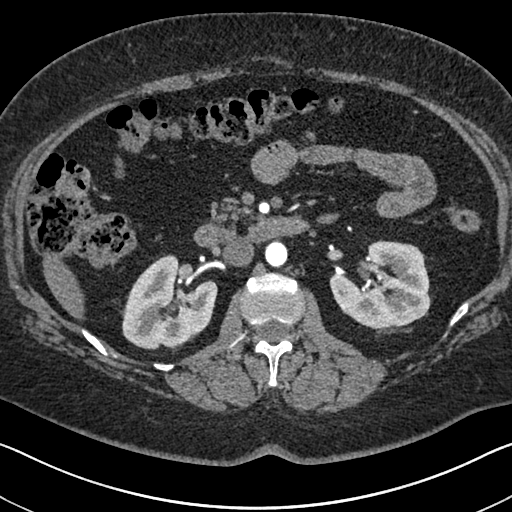
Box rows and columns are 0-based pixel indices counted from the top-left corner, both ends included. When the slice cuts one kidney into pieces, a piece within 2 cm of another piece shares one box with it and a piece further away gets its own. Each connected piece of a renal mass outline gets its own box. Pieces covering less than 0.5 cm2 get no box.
This is axial slice 405 of 591 (slice 1 is the lowest) of an arterial-phase abdominal CT with contrast; each pixel is 0.703 mm and the slice is 1.00 mm thick. Two boxes on this slice (two kidney boxes), listed by box centre from the image's left to its right. (1) Box rows 254–349, columns 121–217: right kidney (outlined area 6,521 px, about 32.2 cm2). (2) Left kidney, box rows 240–328, columns 329–430 (outlined area 6,443 px, about 31.9 cm2). This slice carries no renal mass outline.
Acquired at 140 kVp and reconstructed with the I30f kernel.